Axial slice 344 of 548 of a contrast-enhanced abdominal CT in the arterial phase (slice 1 is the lowest), 120 kVp, kernel I26f; 1.00 mm slice thickness and 0.852 mm pixels.
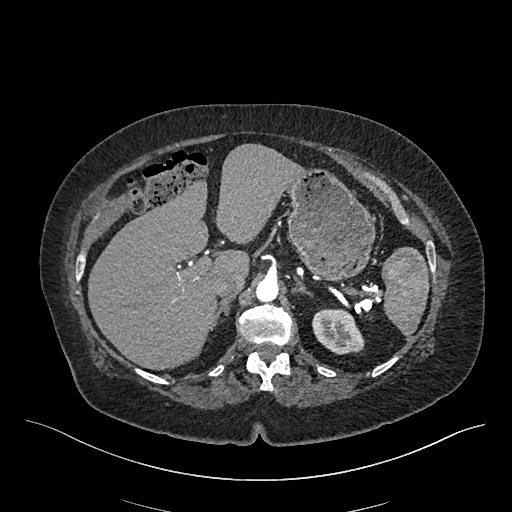
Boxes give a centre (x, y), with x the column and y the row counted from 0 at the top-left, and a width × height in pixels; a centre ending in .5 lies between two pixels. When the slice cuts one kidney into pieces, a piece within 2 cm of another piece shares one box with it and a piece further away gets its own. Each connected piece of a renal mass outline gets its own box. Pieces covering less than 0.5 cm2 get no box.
Box centre (338, 331.5), 53 × 46 pixels: left kidney (outlined area 1,830 px, about 13.3 cm2). No renal mass outline on this slice.